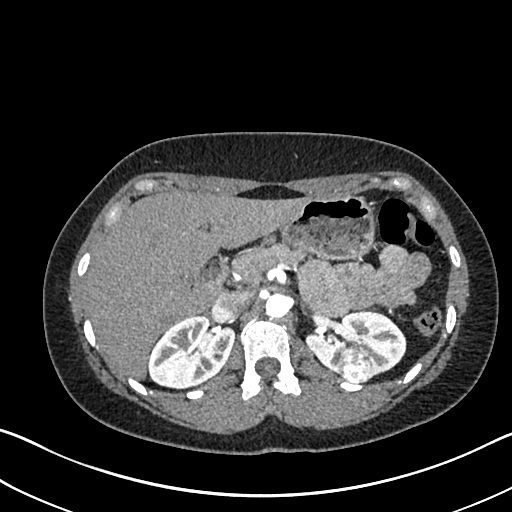
Arterial-phase contrast-enhanced abdominal CT, axial slice 471 of 612 (counted from the lowest slice); tube voltage 120 kVp, convolution kernel I30f; slices 1.00 mm thick, 0.703 mm per pixel.
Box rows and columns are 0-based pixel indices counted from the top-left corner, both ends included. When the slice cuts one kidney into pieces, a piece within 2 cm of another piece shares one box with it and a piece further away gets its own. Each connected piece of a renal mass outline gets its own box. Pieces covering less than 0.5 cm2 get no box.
Three boxes on this slice (two kidney boxes and one renal mass box), listed by box centre from the image's left to its right. (1) Box rows 314–389, columns 147–234: right kidney (outlined area 4,669 px, about 23.1 cm2). (2) Box rows 354–381, columns 338–371: left renal mass (outlined area 762 px, about 3.8 cm2). (3) Box rows 309–379, columns 305–406: left kidney (outlined area 4,350 px, about 21.5 cm2).